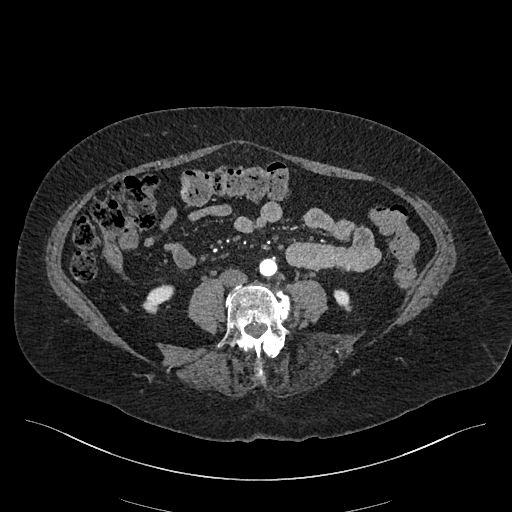
Arterial-phase contrast-enhanced abdominal CT, axial slice 148 of 548 (counted from the lowest slice); tube voltage 120 kVp, convolution kernel I26f; slices 1.00 mm thick, 0.852 mm per pixel.
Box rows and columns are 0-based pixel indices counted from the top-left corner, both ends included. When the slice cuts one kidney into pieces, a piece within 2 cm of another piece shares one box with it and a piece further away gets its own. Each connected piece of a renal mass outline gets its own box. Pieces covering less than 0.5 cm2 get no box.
Boxed on this slice (two kidney boxes), listed by box centre from the image's left to its right: (1) Right kidney at rows 284–313, columns 142–174 (outlined area 556 px, about 4.0 cm2). (2) Box rows 289–311, columns 333–351: left kidney (outlined area 274 px, about 2.0 cm2). No renal mass is outlined on this slice.